Axial slice 140 of 345 of a contrast-enhanced abdominal CT in the arterial phase (slice 1 is the lowest), 120 kVp, kernel I31f; 2.00 mm slice thickness and 0.977 mm pixels.
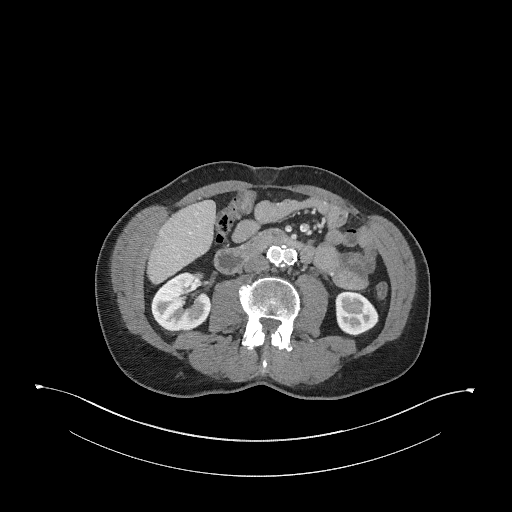
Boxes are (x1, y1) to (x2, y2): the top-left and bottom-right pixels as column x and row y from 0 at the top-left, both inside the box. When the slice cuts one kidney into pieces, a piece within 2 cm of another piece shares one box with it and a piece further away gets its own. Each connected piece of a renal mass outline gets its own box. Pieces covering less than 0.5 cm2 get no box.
Two kidney boxes on this slice; by box centre, from the image's left to its right: (1) Right kidney from (151, 272) to (211, 332) (outlined area 2,758 px, about 26.3 cm2). (2) Box (335, 291) to (378, 335): left kidney (outlined area 1,532 px, about 14.6 cm2). No renal mass is outlined on this slice.